Abdominal CT with intravenous contrast, arterial phase, axial plane, 100 kVp, kernel I40f. Slice 48/234 from the bottom of the scan; thickness 2.00 mm; pixel size 0.699 mm.
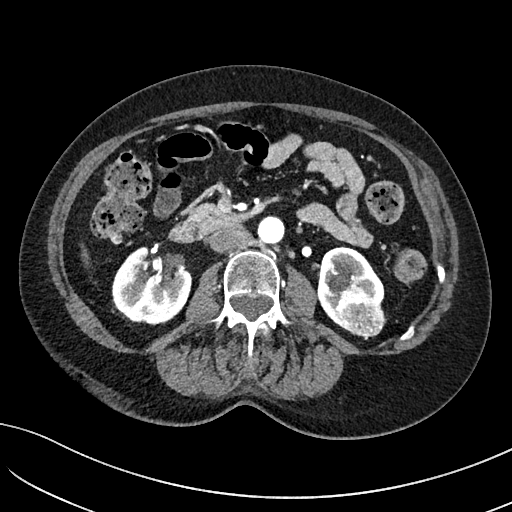
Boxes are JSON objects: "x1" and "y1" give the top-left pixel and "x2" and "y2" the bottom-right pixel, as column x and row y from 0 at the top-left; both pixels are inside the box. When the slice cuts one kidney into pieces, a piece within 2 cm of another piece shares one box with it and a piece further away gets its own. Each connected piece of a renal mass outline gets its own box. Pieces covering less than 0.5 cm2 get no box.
Two kidney boxes and one renal mass box on this slice; by box centre, from the image's left to its right: (1) Right kidney, box {"x1": 112, "y1": 246, "x2": 192, "y2": 325} (outlined area 4,671 px, about 22.8 cm2). (2) Left kidney, box {"x1": 316, "y1": 246, "x2": 384, "y2": 319} (outlined area 2,766 px, about 13.5 cm2). (3) Box {"x1": 333, "y1": 286, "x2": 386, "y2": 338}: left renal mass (outlined area 1,961 px, about 9.6 cm2).